Abdominal CT with intravenous contrast, arterial phase, axial plane, 120 kVp, kernel B30f. Slice 435/581 from the bottom of the scan; thickness 1.00 mm; pixel size 0.713 mm.
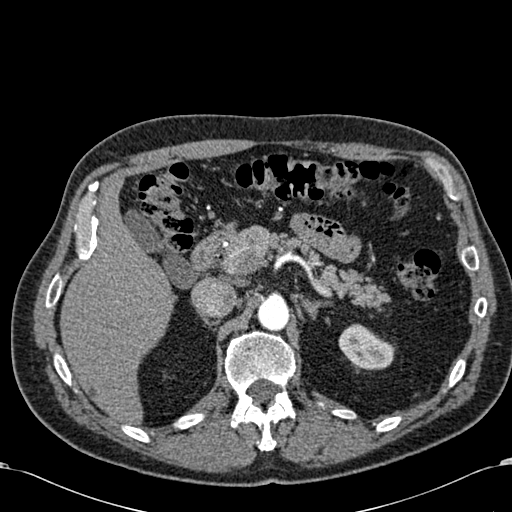
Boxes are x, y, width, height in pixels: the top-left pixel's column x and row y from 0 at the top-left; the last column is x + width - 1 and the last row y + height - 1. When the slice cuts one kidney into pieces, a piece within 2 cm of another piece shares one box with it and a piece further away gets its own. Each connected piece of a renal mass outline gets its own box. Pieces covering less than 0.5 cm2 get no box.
Left kidney, box x 338, y 323, width 58, height 47 (outlined area 1,847 px, about 9.4 cm2). No renal mass outline on this slice.